Abdominal CT with intravenous contrast, arterial phase, axial plane, 120 kVp, kernel I30f. Slice 341/626 from the bottom of the scan; thickness 1.00 mm; pixel size 0.703 mm.
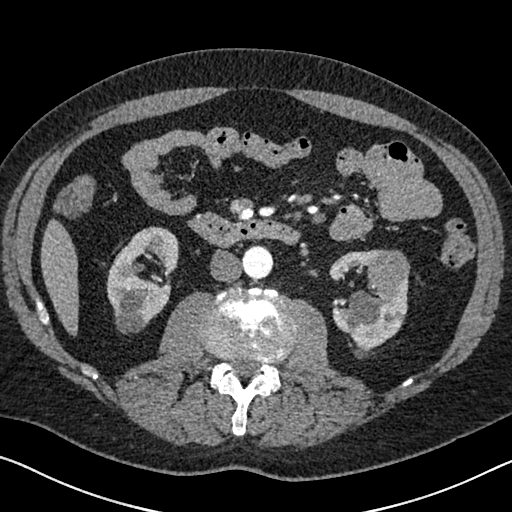
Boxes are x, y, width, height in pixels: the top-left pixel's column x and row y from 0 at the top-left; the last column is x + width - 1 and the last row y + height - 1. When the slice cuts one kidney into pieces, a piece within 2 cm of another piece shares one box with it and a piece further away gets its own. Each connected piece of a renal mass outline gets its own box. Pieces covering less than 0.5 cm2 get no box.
Three boxes on this slice (two kidney boxes and one renal mass box), listed by box centre from the image's left to its right. (1) Box x 106, y 226, width 73, height 108: right kidney (outlined area 5,141 px, about 25.4 cm2). (2) Box x 328, y 249, width 81, height 102: left kidney (outlined area 4,056 px, about 20.1 cm2). (3) Left renal mass at x 361, y 249, width 50, height 50 (outlined area 1,817 px, about 9.0 cm2).